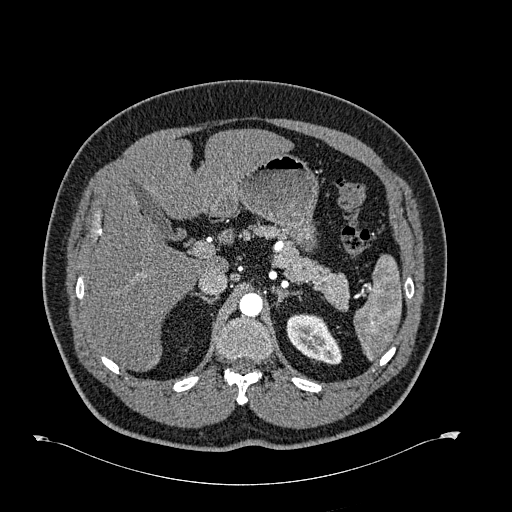
Arterial-phase contrast-enhanced abdominal CT, axial slice 471 of 723 (counted from the lowest slice); tube voltage 120 kVp, convolution kernel B30f; slices 1.00 mm thick, 0.895 mm per pixel.
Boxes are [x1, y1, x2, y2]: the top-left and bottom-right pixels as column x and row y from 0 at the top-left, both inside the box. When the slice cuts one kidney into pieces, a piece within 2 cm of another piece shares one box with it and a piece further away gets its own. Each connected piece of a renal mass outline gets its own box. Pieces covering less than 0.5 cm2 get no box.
Left kidney at [286, 313, 342, 364] (outlined area 1,956 px, about 15.7 cm2). This slice carries no renal mass outline.